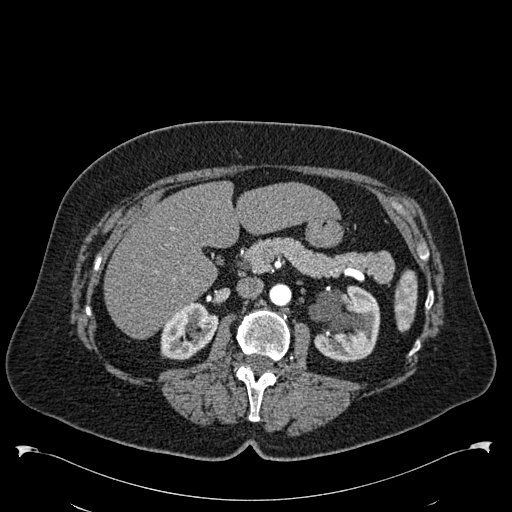
Arterial-phase contrast-enhanced abdominal CT, axial slice 343 of 538 (counted from the lowest slice); tube voltage 120 kVp, convolution kernel B30f; slices 1.00 mm thick, 0.811 mm per pixel.
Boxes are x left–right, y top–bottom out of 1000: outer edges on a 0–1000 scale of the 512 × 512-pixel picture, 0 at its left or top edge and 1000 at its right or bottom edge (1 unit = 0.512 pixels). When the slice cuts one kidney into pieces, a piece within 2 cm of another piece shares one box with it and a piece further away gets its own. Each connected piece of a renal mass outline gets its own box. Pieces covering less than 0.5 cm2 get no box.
Two boxes on this slice (two kidney boxes), listed by box centre from the image's left to its right. (1) Right kidney at x 313–428, y 590–705 out of 1000 (outlined area 2,357 px, about 15.5 cm2). (2) Box x 604–744, y 557–707 out of 1000: left kidney (outlined area 4,156 px, about 27.3 cm2). No renal mass is outlined on this slice.